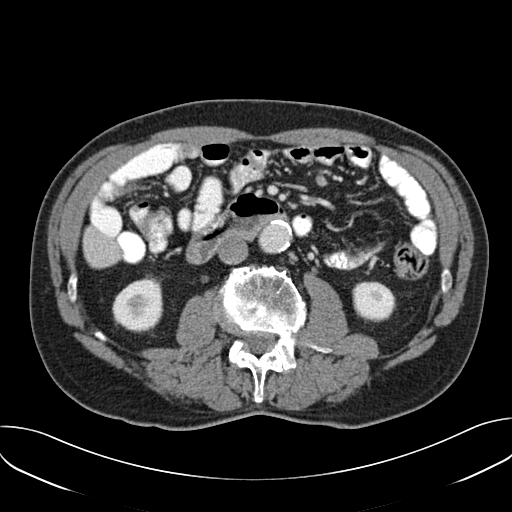
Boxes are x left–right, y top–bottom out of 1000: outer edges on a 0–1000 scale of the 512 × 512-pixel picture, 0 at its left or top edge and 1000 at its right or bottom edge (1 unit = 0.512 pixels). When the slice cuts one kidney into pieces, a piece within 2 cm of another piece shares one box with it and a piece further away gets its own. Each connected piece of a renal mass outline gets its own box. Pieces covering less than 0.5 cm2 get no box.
This is axial slice 92 of 157 (slice 1 is the lowest) of an arterial-phase abdominal CT with contrast; each pixel is 0.742 mm and the slice is 3.00 mm thick. Two boxes on this slice (two kidney boxes), listed by box centre from the image's left to its right. (1) Right kidney, box x 219–320, y 543–648 out of 1000 (outlined area 2,177 px, about 12.0 cm2). (2) Left kidney at x 688–773, y 549–631 out of 1000 (outlined area 1,473 px, about 8.1 cm2). No renal mass is outlined on this slice.
Tube voltage 120 kVp; convolution kernel B30f.